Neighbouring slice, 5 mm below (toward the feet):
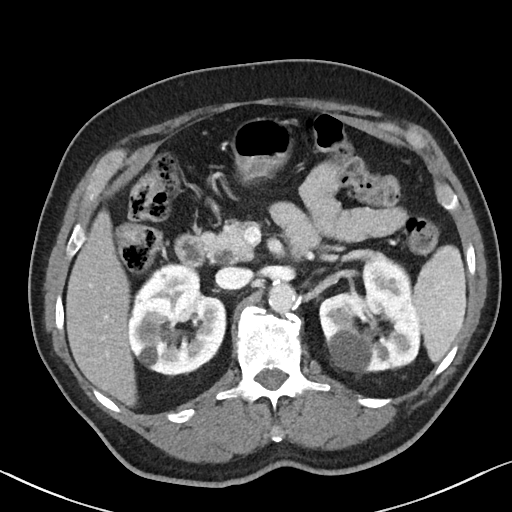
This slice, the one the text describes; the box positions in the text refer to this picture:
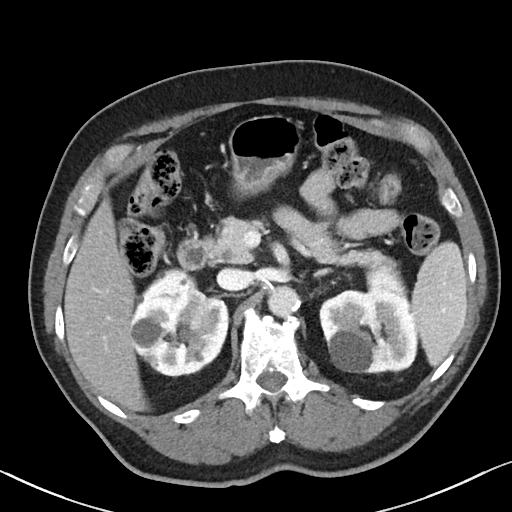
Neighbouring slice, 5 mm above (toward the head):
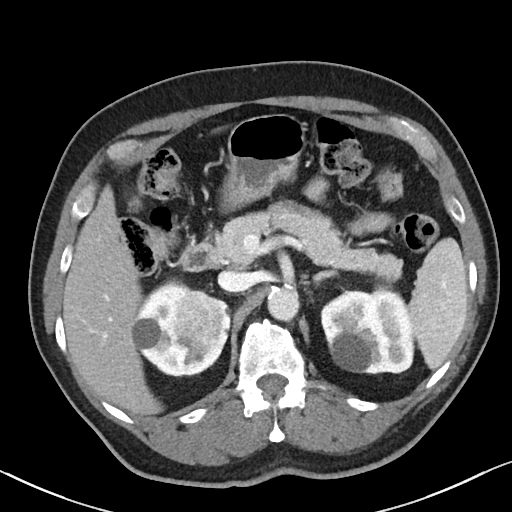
Axial slice 64 of 90 of a contrast-enhanced abdominal CT (slice 1 is the lowest), 100 kVp, kernel I40f; 5.00 mm slice thickness and 0.684 mm pixels.
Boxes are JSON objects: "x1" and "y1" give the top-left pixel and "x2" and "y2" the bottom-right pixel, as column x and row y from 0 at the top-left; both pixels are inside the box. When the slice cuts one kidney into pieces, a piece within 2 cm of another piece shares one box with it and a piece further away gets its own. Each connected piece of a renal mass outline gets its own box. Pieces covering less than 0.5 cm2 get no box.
Two kidney boxes and one renal mass box on this slice; by box centre, from the image's left to its right: (1) Box {"x1": 129, "y1": 268, "x2": 228, "y2": 377}: right kidney (outlined area 6,531 px, about 30.5 cm2). (2) Right renal mass at {"x1": 178, "y1": 286, "x2": 218, "y2": 337} (outlined area 1,373 px, about 6.4 cm2). (3) Left kidney, box {"x1": 319, "y1": 268, "x2": 417, "y2": 374} (outlined area 7,819 px, about 36.5 cm2). This slice lies near the end of the right renal mass toward the feet; the slices 5 mm below and 5 mm above it are shown too, and the boxes mark positions on this slice only.